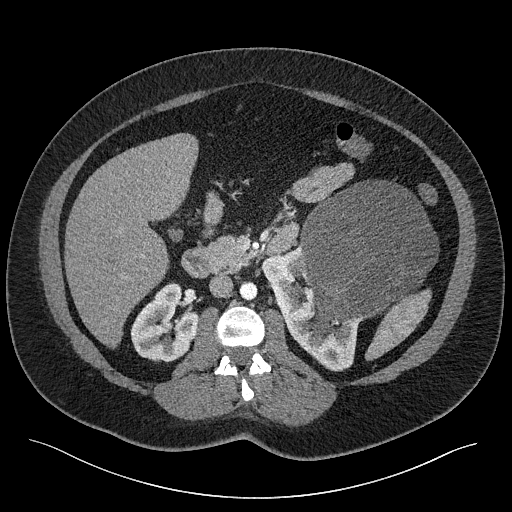
Axial slice 133 of 301 of a contrast-enhanced abdominal CT (slice 1 is the lowest), 120 kVp, kernel I40f; 2.00 mm slice thickness and 0.859 mm pixels.
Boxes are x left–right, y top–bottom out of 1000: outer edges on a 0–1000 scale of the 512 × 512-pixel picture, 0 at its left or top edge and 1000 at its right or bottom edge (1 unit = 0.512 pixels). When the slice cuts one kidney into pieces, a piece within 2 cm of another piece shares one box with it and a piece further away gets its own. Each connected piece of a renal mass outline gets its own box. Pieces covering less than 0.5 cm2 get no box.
Three boxes on this slice (two kidney boxes and one renal mass box), listed by box centre from the image's left to its right. (1) Right kidney, box x 254–389, y 551–709 out of 1000 (outlined area 3,768 px, about 27.8 cm2). (2) Left kidney at x 510–709, y 479–727 out of 1000 (outlined area 4,695 px, about 34.7 cm2). (3) Box x 584–859, y 352–654 out of 1000: left renal mass (outlined area 15,343 px, about 113.3 cm2).